Abdominal CT with intravenous contrast, axial plane, 120 kVp, kernel STANDARD. Slice 60/95 from the bottom of the scan; thickness 5.00 mm; pixel size 0.781 mm.
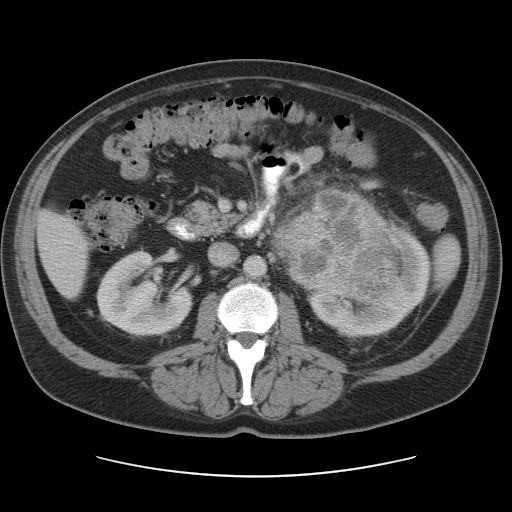
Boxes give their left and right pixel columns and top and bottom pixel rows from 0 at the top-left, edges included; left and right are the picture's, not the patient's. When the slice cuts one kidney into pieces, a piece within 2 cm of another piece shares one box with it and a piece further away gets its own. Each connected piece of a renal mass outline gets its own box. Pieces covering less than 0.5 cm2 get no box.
Three boxes on this slice (two kidney boxes and one renal mass box), listed by box centre from the image's left to its right. (1) Right kidney in the box with left 96, top 251, right 193, bottom 337 (outlined area 5,942 px, about 36.3 cm2). (2) Box with left 277, top 189, right 399, bottom 305: left renal mass (outlined area 10,366 px, about 63.3 cm2). (3) Left kidney, the box with left 309, top 224, right 431, bottom 336 (outlined area 5,278 px, about 32.2 cm2).